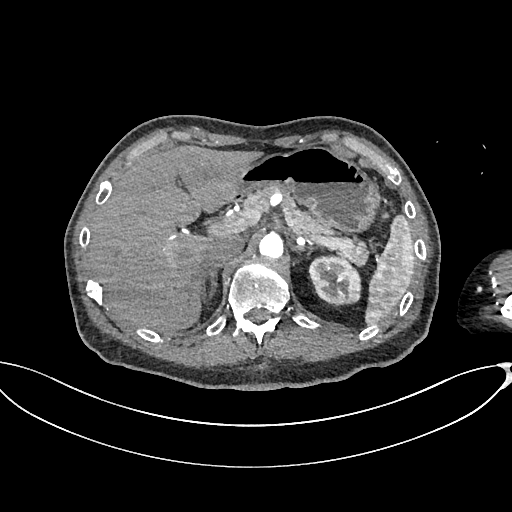
Arterial-phase contrast-enhanced abdominal CT, axial slice 489 of 665 (counted from the lowest slice); tube voltage 100 kVp, convolution kernel I26f; slices 1.00 mm thick, 0.828 mm per pixel.
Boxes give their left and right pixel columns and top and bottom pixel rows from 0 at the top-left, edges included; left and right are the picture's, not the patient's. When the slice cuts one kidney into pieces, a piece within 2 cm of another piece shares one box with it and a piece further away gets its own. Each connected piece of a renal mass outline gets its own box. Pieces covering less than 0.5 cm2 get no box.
Left kidney in the box with left 308, top 255, right 361, bottom 306 (outlined area 2,146 px, about 14.7 cm2). No renal mass outline on this slice.